Axial slice 124 of 316 of a contrast-enhanced abdominal CT in the arterial phase (slice 1 is the lowest), 100 kVp, kernel I40f; 2.00 mm slice thickness and 0.840 mm pixels.
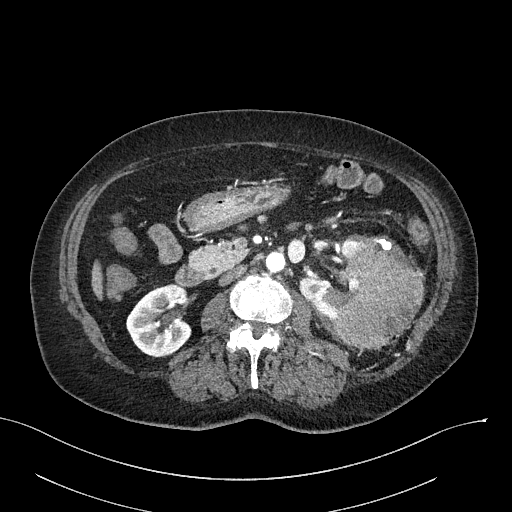
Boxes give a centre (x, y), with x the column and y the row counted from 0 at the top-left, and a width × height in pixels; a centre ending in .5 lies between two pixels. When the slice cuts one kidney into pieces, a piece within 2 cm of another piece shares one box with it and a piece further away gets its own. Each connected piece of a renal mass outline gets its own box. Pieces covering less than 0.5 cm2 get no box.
Three boxes on this slice (two kidney boxes and one renal mass box), listed by box centre from the image's left to its right. (1) Right kidney in a box with centre (159, 320.5), 67 × 74 pixels (outlined area 3,518 px, about 24.8 cm2). (2) Left kidney, box centre (334.5, 278), 74 × 87 pixels (outlined area 2,631 px, about 18.6 cm2). (3) Box centre (378, 292.5), 93 × 112 pixels: left renal mass (outlined area 6,954 px, about 49.0 cm2).